Axial slice 312 of 683 of a contrast-enhanced abdominal CT in the arterial phase (slice 1 is the lowest), 120 kVp, kernel I30f; 1.00 mm slice thickness and 0.738 mm pixels.
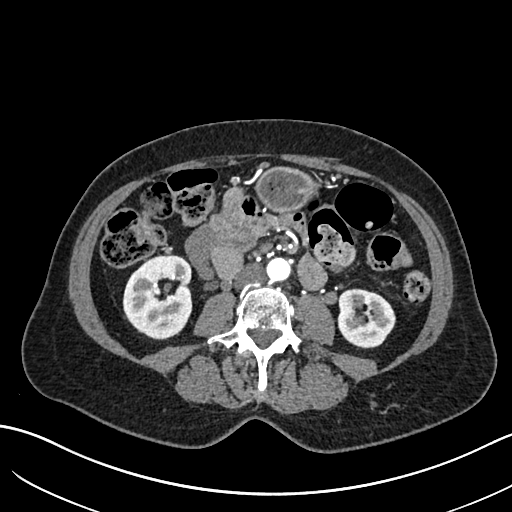
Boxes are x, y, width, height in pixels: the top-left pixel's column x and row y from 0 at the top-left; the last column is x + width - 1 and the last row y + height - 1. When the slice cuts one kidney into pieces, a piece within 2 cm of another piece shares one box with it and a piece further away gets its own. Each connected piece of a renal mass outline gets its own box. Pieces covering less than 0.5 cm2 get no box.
Two boxes on this slice (two kidney boxes), listed by box centre from the image's left to its right. (1) Right kidney, box x 122, y 255, width 71, height 85 (outlined area 4,670 px, about 25.5 cm2). (2) Box x 338, y 288, width 58, height 61: left kidney (outlined area 2,740 px, about 14.9 cm2). No renal mass outline on this slice.